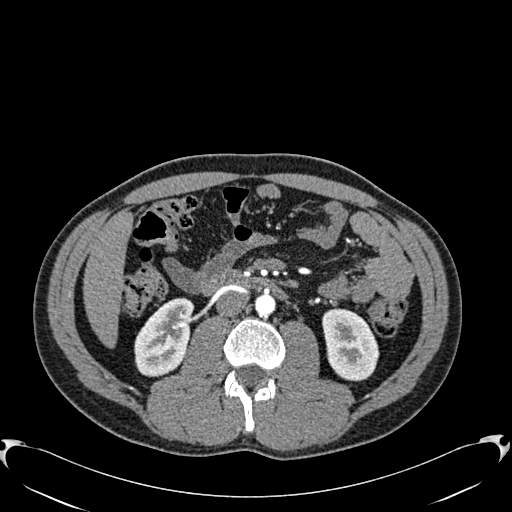
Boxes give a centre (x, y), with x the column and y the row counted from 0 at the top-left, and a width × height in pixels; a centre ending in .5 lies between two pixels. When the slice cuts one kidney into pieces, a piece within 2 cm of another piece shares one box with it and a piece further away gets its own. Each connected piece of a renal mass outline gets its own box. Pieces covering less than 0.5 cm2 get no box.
Slice 309/512 of a contrast-enhanced abdominal CT in the arterial phase, counting up from the lowest; pixel size 0.771 mm, slice thickness 1.00 mm. Two kidney boxes on this slice; by box centre, from the image's left to its right: (1) Right kidney in a box with centre (163, 337), 59 × 79 pixels (outlined area 3,356 px, about 20.0 cm2). (2) Left kidney, box centre (350.5, 344.5), 58 × 74 pixels (outlined area 3,197 px, about 19.0 cm2). This slice carries no renal mass outline.
Tube voltage 120 kVp; convolution kernel B30f.